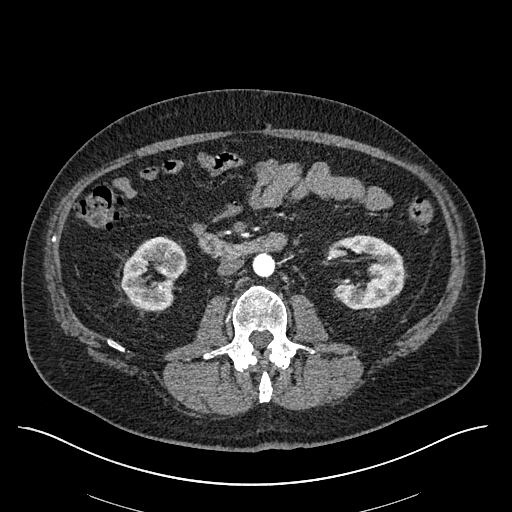
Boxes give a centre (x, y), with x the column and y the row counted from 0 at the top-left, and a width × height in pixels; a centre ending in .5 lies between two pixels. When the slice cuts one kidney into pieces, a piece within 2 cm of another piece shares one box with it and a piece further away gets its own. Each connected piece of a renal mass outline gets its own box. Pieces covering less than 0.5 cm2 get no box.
This is axial slice 294 of 670 (slice 1 is the lowest) of an arterial-phase abdominal CT with contrast; each pixel is 0.861 mm and the slice is 1.00 mm thick. Boxed on this slice (two kidney boxes and one renal mass box), listed by box centre from the image's left to its right: (1) Right kidney in a box with centre (154, 274), 67 × 77 pixels (outlined area 3,276 px, about 24.3 cm2). (2) Right renal mass, box centre (173.5, 255.5), 18 × 18 pixels (outlined area 249 px, about 1.8 cm2). (3) Box centre (368.5, 272), 72 × 75 pixels: left kidney (outlined area 3,777 px, about 28.0 cm2).
Scan settings: 120 kVp, I30f reconstruction kernel.